Axial slice 38 of 59 of a contrast-enhanced abdominal CT in the arterial phase (slice 1 is the lowest), 120 kVp, kernel B30f; 5.00 mm slice thickness and 0.871 mm pixels.
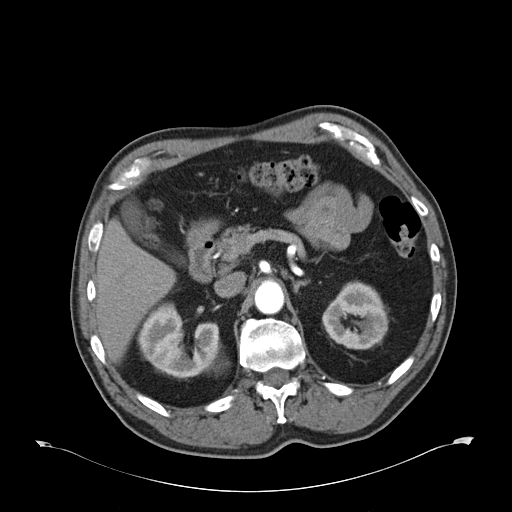
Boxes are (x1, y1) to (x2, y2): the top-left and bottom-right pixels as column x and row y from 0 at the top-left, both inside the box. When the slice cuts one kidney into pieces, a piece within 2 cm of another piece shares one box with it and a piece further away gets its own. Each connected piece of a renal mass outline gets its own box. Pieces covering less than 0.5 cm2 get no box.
Boxed on this slice (two kidney boxes), listed by box centre from the image's left to its right: (1) Right kidney from (137, 301) to (229, 379) (outlined area 4,416 px, about 33.5 cm2). (2) Left kidney, box (322, 280) to (388, 349) (outlined area 3,273 px, about 24.8 cm2). No renal mass is outlined on this slice.